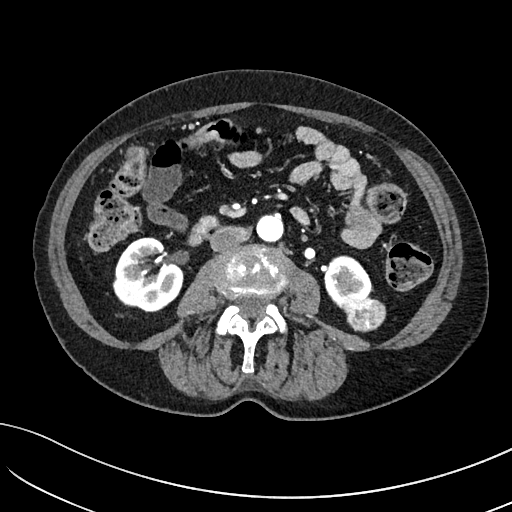
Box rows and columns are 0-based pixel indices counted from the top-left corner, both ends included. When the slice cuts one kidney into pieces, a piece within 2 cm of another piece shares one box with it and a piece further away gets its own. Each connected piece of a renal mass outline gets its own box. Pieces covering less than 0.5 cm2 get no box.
Slice 33/234 of a contrast-enhanced abdominal CT in the arterial phase, counting up from the lowest; pixel size 0.699 mm, slice thickness 2.00 mm. Two kidney boxes and one renal mass box on this slice; by box centre, from the image's left to its right: (1) Right kidney, box rows 237–312, columns 112–184 (outlined area 3,945 px, about 19.3 cm2). (2) Left kidney, box rows 255–308, columns 324–373 (outlined area 1,715 px, about 8.4 cm2). (3) Left renal mass at rows 294–332, columns 340–386 (outlined area 1,280 px, about 6.3 cm2).
Acquired at 100 kVp and reconstructed with the I40f kernel.